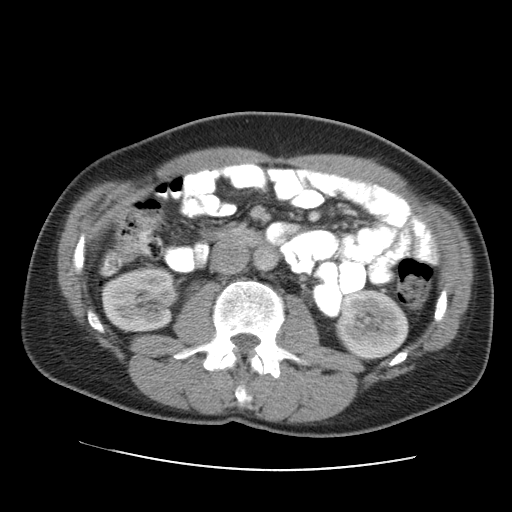
Abdominal CT with intravenous contrast, arterial phase, axial plane, 120 kVp, kernel STANDARD. Slice 64/105 from the bottom of the scan; thickness 5.00 mm; pixel size 0.707 mm.
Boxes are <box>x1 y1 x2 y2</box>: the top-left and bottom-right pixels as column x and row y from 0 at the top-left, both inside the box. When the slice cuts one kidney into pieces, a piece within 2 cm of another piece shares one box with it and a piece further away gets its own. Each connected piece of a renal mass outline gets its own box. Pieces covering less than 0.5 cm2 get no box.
Two kidney boxes on this slice; by box centre, from the image's left to its right: (1) Right kidney at <box>101 266 177 332</box> (outlined area 4,073 px, about 20.4 cm2). (2) At <box>333 289 409 358</box>: left kidney (outlined area 4,006 px, about 20.0 cm2). No renal mass is outlined on this slice.